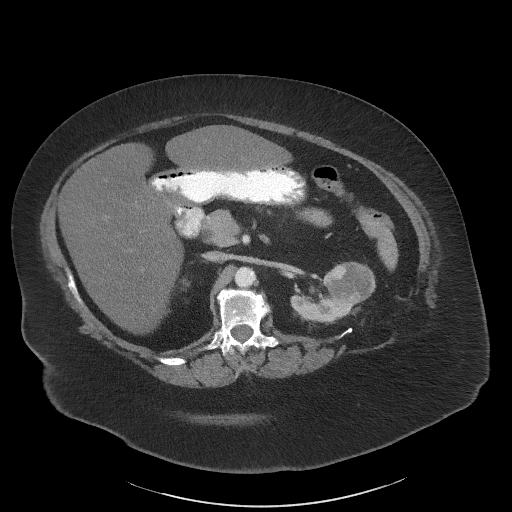
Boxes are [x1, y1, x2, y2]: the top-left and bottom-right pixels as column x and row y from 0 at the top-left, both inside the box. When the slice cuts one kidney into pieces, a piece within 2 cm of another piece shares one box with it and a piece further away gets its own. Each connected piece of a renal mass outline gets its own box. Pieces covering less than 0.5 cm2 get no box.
This is axial slice 41 of 61 (slice 1 is the lowest) of an arterial-phase abdominal CT with contrast; each pixel is 0.947 mm and the slice is 3.00 mm thick. Two boxes on this slice (one kidney box and one renal mass box), listed by box centre from the image's left to its right. (1) Left kidney, box [290, 275, 343, 323] (outlined area 1,412 px, about 12.7 cm2). (2) Left renal mass, box [322, 261, 375, 316] (outlined area 1,979 px, about 17.8 cm2).
Acquired at 140 kVp and reconstructed with the I41f kernel.